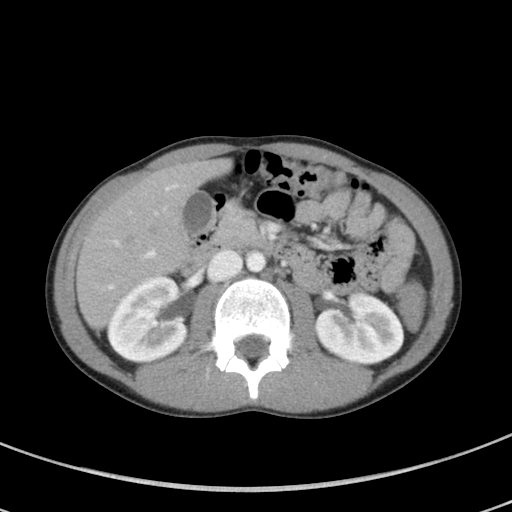
Axial slice 39 of 94 of a contrast-enhanced abdominal CT in the arterial phase (slice 1 is the lowest), 100 kVp, kernel I41f; 5.00 mm slice thickness and 0.551 mm pixels.
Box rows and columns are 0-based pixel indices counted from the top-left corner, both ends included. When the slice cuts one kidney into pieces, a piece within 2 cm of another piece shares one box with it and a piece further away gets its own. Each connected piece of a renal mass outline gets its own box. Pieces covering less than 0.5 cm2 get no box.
Two kidney boxes on this slice; by box centre, from the image's left to its right: (1) Right kidney at rows 276–363, columns 106–186 (outlined area 5,266 px, about 16.0 cm2). (2) Left kidney at rows 292–363, columns 315–404 (outlined area 4,879 px, about 14.8 cm2). This slice carries no renal mass outline.